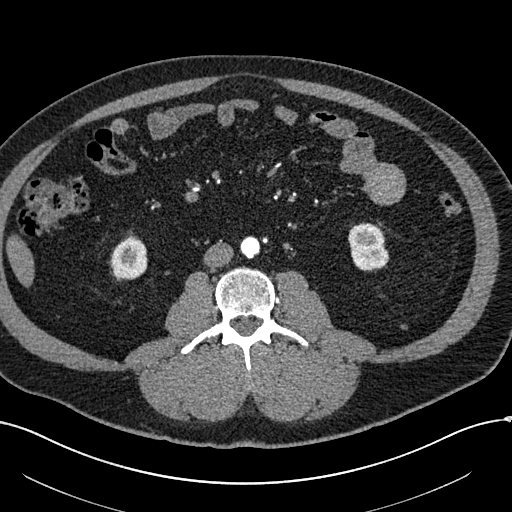
Abdominal CT with intravenous contrast, arterial phase, axial plane, 120 kVp, kernel I30f. Slice 222/602 from the bottom of the scan; thickness 1.00 mm; pixel size 0.799 mm.
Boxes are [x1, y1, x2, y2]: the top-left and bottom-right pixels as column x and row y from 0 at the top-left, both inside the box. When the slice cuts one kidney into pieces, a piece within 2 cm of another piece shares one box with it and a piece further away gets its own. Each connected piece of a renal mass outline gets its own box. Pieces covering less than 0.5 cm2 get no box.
Two boxes on this slice (two kidney boxes), listed by box centre from the image's left to its right. (1) Right kidney at [110, 235, 147, 281] (outlined area 1,343 px, about 8.6 cm2). (2) Left kidney, box [348, 222, 388, 271] (outlined area 1,561 px, about 10.0 cm2).